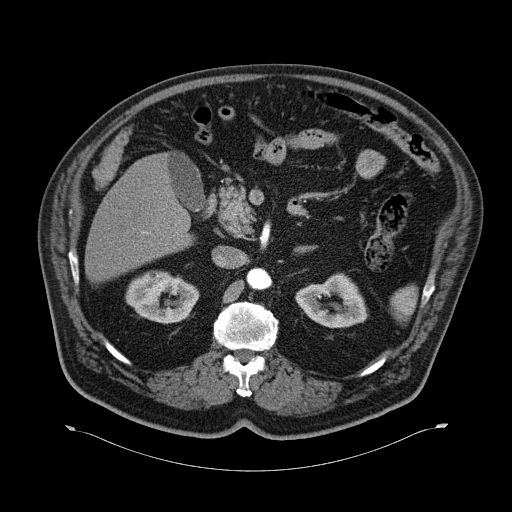
One axial slice (39 of 70, counting up from the lowest) of an arterial-phase abdominal CT acquired with 120 kVp, kernel B30f; each pixel is 0.977 mm and the slice is 5.00 mm thick.
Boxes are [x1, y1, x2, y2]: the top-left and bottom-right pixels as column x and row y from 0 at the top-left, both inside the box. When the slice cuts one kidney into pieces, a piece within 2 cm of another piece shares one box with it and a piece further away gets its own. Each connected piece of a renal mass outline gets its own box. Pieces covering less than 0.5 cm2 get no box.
Boxed on this slice (two kidney boxes), listed by box centre from the image's left to its right: (1) Box [125, 270, 199, 323]: right kidney (outlined area 2,824 px, about 26.9 cm2). (2) Box [295, 273, 368, 328]: left kidney (outlined area 2,600 px, about 24.8 cm2). No renal mass is outlined on this slice.